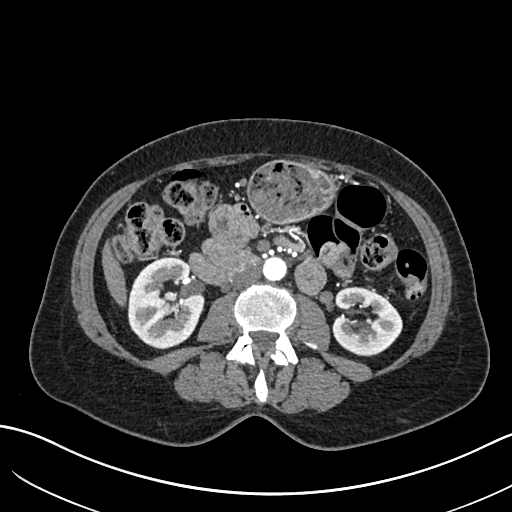
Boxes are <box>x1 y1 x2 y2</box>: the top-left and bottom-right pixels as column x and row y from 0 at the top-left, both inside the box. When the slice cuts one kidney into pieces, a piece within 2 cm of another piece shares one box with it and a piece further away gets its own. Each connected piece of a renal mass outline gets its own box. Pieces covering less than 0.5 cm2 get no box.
Slice 334/683 of a contrast-enhanced abdominal CT in the arterial phase, counting up from the lowest; pixel size 0.738 mm, slice thickness 1.00 mm. Two boxes on this slice (two kidney boxes), listed by box centre from the image's left to its right. (1) Right kidney: <box>127 256 204 349</box> (outlined area 5,359 px, about 29.2 cm2). (2) Left kidney: <box>331 286 402 356</box> (outlined area 3,615 px, about 19.7 cm2). This slice carries no renal mass outline.
Scan settings: 120 kVp, I30f reconstruction kernel.